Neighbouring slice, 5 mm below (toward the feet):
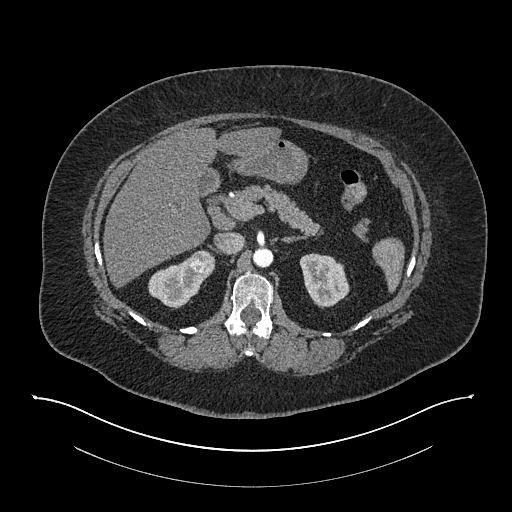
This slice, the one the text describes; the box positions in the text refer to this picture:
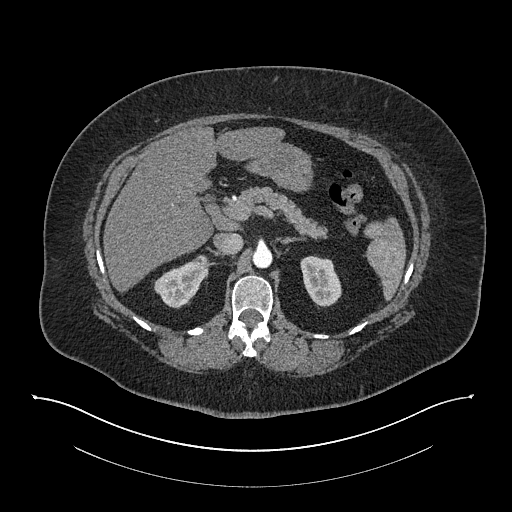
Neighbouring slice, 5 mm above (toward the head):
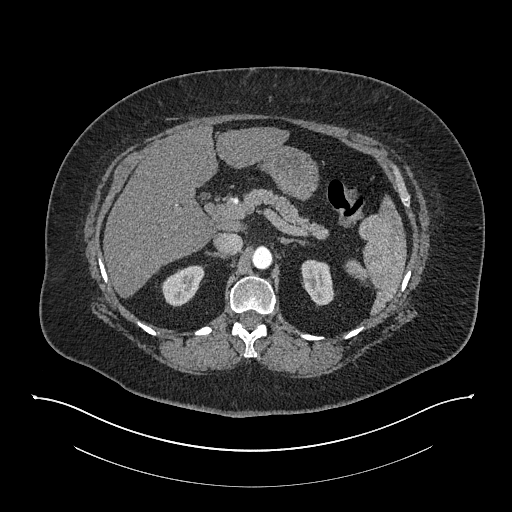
One axial slice (545 of 673, counting up from the lowest) of an arterial-phase abdominal CT acquired with 140 kVp, kernel I30f; each pixel is 0.957 mm and the slice is 1.00 mm thick.
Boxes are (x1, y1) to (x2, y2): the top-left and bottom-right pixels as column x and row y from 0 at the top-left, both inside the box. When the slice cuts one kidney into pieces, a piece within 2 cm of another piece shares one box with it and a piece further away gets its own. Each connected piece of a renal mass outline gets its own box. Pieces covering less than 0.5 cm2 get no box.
Three boxes on this slice (two kidney boxes and one renal mass box), listed by box centre from the image's left to its right. (1) Right kidney, box (154, 261) to (211, 308) (outlined area 1,595 px, about 14.6 cm2). (2) Right renal mass, box (192, 255) to (208, 270) (outlined area 196 px, about 1.8 cm2). (3) Box (300, 255) to (341, 306): left kidney (outlined area 1,594 px, about 14.6 cm2). This slice lies near the end of the right renal mass toward the head; the slices 5 mm below and 5 mm above it are shown too, and the boxes mark positions on this slice only.